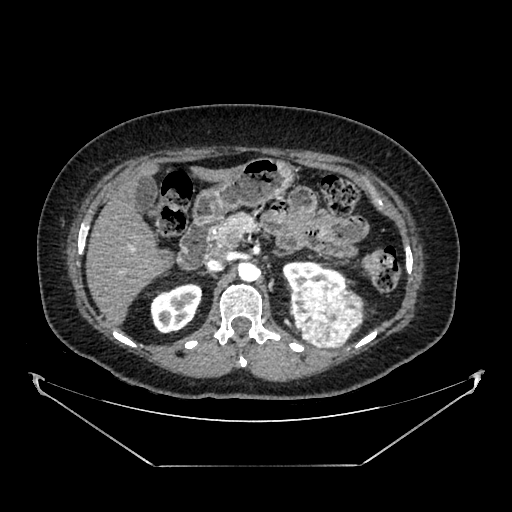
Arterial-phase contrast-enhanced abdominal CT, axial slice 255 of 383 (counted from the lowest slice); tube voltage 100 kVp, convolution kernel SOFT; slices 1.25 mm thick, 0.898 mm per pixel.
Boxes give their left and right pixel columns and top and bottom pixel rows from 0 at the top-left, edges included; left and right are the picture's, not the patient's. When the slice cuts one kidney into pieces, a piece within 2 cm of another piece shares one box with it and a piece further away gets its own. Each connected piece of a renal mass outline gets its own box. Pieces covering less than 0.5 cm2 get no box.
Boxed on this slice (two kidney boxes and one renal mass box), listed by box centre from the image's left to its right: (1) Right kidney in the box with left 150, top 283, right 202, bottom 333 (outlined area 1,961 px, about 15.8 cm2). (2) Left kidney in the box with left 282, top 261, right 349, bottom 289 (outlined area 1,152 px, about 9.3 cm2). (3) Left renal mass, the box with left 291, top 281, right 363, bottom 349 (outlined area 3,960 px, about 32.0 cm2).